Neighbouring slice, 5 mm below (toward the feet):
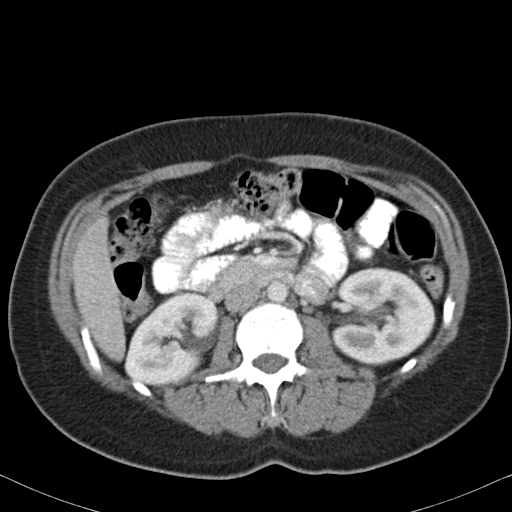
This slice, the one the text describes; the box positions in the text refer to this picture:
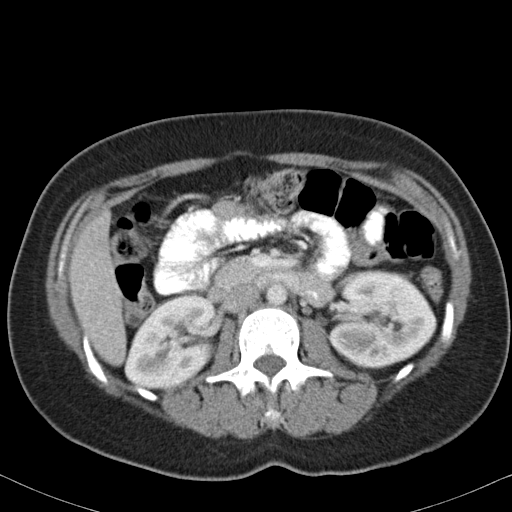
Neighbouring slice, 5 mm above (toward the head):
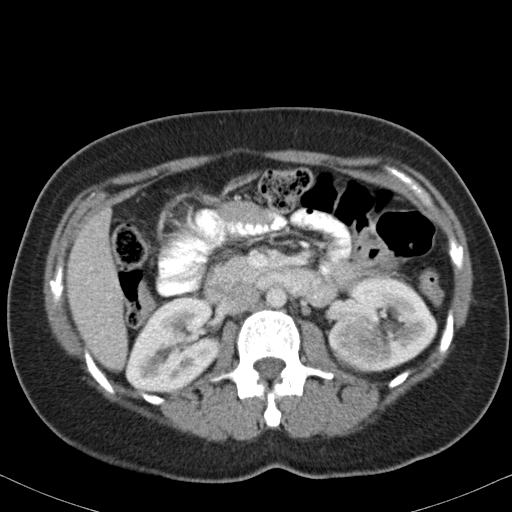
One axial slice (59 of 82, counting up from the lowest) of an arterial-phase abdominal CT acquired with 120 kVp, kernel B31f; each pixel is 0.625 mm and the slice is 5.00 mm thick.
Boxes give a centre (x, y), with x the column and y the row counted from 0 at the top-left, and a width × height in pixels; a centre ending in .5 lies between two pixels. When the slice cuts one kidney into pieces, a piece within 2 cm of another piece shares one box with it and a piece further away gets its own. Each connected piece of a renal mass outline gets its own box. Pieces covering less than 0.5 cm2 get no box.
Two kidney boxes and one renal mass box on this slice; by box centre, from the image's left to its right: (1) Right kidney, box centre (170, 341.5), 95 × 96 pixels (outlined area 6,642 px, about 25.9 cm2). (2) Box centre (356.5, 341), 36 × 27 pixels: left renal mass (outlined area 746 px, about 2.9 cm2). (3) Left kidney, box centre (382, 319), 109 × 99 pixels (outlined area 7,157 px, about 28.0 cm2). This slice lies near the end of the left renal mass toward the feet; the slices 5 mm below and 5 mm above it are shown too, and the boxes mark positions on this slice only.